Axial slice 45 of 85 of a contrast-enhanced abdominal CT in the arterial phase (slice 1 is the lowest), 120 kVp, kernel FC19; 5.00 mm slice thickness and 1.041 mm pixels.
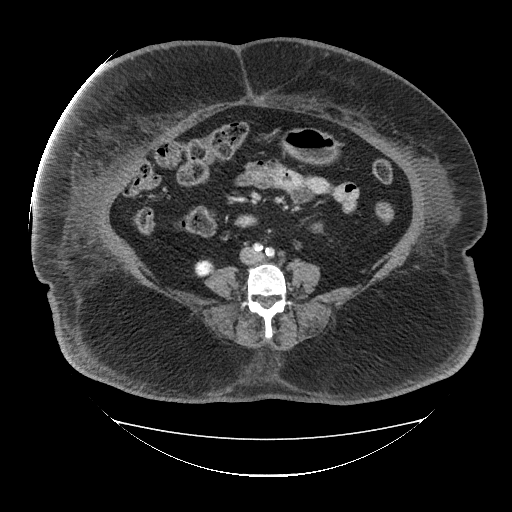
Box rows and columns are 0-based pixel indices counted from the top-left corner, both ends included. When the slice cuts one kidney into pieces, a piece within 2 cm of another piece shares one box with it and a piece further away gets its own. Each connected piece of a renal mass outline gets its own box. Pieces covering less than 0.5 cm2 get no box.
Boxed on this slice (two kidney boxes), listed by box centre from the image's left to its right: (1) Box rows 259–277, columns 194–214: right kidney (outlined area 293 px, about 3.2 cm2). (2) Left kidney at rows 223–232, columns 311–322 (outlined area 101 px, about 1.1 cm2). No renal mass is outlined on this slice.